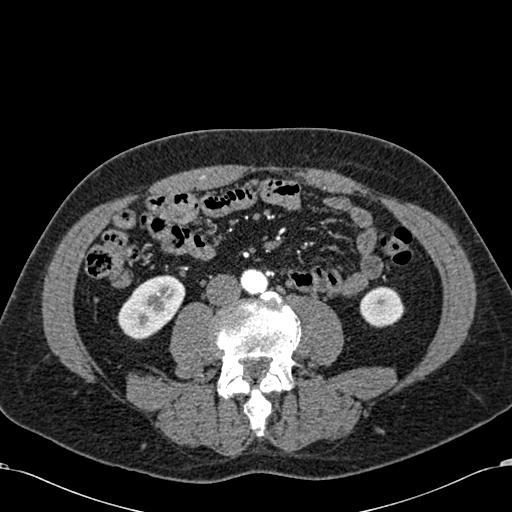
One axial slice (224 of 581, counting up from the lowest) of an arterial-phase abdominal CT acquired with 120 kVp, kernel B30f; each pixel is 0.713 mm and the slice is 1.00 mm thick.
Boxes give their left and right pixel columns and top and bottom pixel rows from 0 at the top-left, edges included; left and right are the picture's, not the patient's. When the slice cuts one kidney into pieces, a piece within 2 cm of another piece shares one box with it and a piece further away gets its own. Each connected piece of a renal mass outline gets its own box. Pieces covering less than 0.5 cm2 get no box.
Two kidney boxes on this slice; by box centre, from the image's left to its right: (1) Right kidney, the box with left 117, top 274, right 185, bottom 340 (outlined area 2,982 px, about 15.2 cm2). (2) Left kidney, the box with left 359, top 286, right 404, bottom 327 (outlined area 1,446 px, about 7.3 cm2). No renal mass outline on this slice.